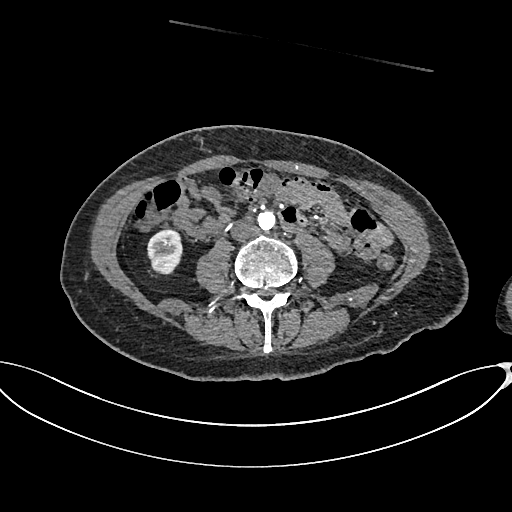
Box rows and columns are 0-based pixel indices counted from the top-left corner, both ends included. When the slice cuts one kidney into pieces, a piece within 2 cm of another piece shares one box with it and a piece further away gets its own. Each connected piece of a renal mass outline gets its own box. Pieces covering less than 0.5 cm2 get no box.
Arterial-phase contrast-enhanced abdominal CT, axial slice 288 of 665 (counted from the lowest slice); 1.00 mm thick, 0.828 mm per pixel. Box rows 230–274, columns 147–182: right kidney (outlined area 1,302 px, about 8.9 cm2). No renal mass outline on this slice.
Acquired at 100 kVp and reconstructed with the I26f kernel.